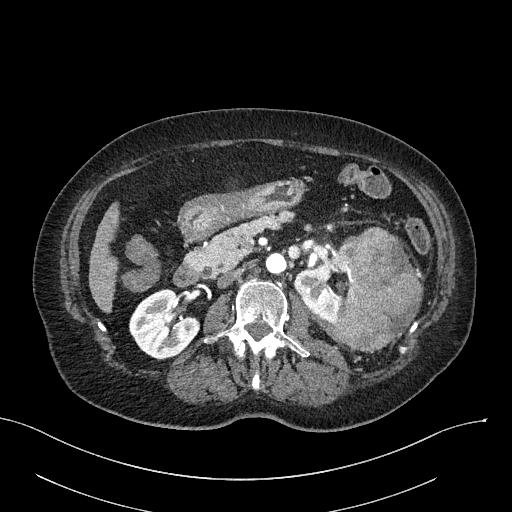
Arterial-phase contrast-enhanced abdominal CT, axial slice 133 of 316 (counted from the lowest slice); tube voltage 100 kVp, convolution kernel I40f; slices 2.00 mm thick, 0.840 mm per pixel.
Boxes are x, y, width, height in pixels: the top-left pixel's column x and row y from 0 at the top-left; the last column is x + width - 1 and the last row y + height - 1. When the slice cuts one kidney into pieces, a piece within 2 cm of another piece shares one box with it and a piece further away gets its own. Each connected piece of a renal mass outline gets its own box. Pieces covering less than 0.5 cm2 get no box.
Two kidney boxes and one renal mass box on this slice; by box centre, from the image's left to its right: (1) Right kidney, box x 129, y 289, width 72, height 72 (outlined area 3,550 px, about 25.0 cm2). (2) Box x 294, y 246, width 56, height 81: left kidney (outlined area 2,453 px, about 17.3 cm2). (3) Box x 334, y 227, width 89, height 125: left renal mass (outlined area 8,088 px, about 57.0 cm2).